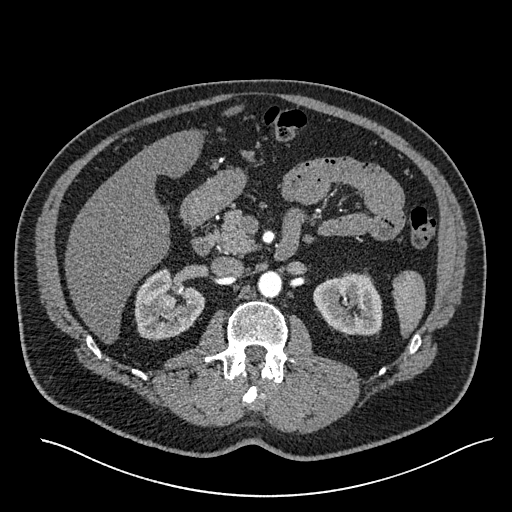
Axial slice 353 of 527 of a contrast-enhanced abdominal CT in the arterial phase (slice 1 is the lowest), 120 kVp, kernel I30f; 1.00 mm slice thickness and 0.859 mm pixels.
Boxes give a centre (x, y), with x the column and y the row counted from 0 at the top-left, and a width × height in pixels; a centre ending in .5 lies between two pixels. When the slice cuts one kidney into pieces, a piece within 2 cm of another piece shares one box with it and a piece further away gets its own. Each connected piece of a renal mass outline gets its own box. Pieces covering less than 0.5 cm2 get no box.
Three boxes on this slice (two kidney boxes and one renal mass box), listed by box centre from the image's left to its right. (1) Right renal mass, box centre (165.5, 301.5), 20 × 18 pixels (outlined area 310 px, about 2.3 cm2). (2) Right kidney, box centre (169.5, 304.5), 72 × 72 pixels (outlined area 3,338 px, about 24.7 cm2). (3) Left kidney, box centre (347.5, 304), 70 × 65 pixels (outlined area 3,485 px, about 25.7 cm2).